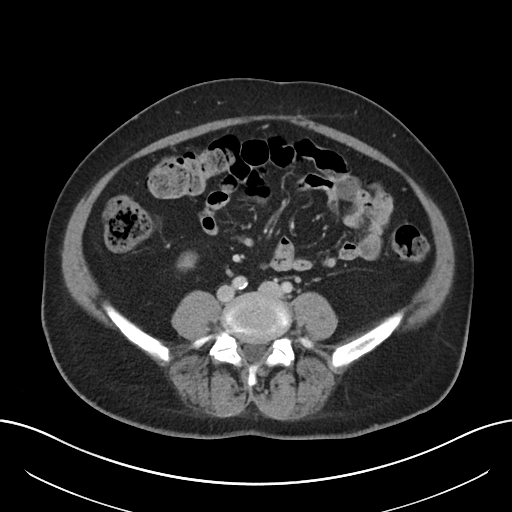
One axial slice (87 of 197, counting up from the lowest) of a contrast-enhanced abdominal CT acquired with 120 kVp, kernel I30f; each pixel is 0.791 mm and the slice is 5.00 mm thick.
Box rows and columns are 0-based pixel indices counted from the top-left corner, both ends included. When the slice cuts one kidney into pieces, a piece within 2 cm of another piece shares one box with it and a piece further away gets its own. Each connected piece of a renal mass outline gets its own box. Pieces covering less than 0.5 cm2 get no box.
Right kidney, box rows 253–271, columns 177–191 (outlined area 208 px, about 1.3 cm2). This slice carries no renal mass outline.